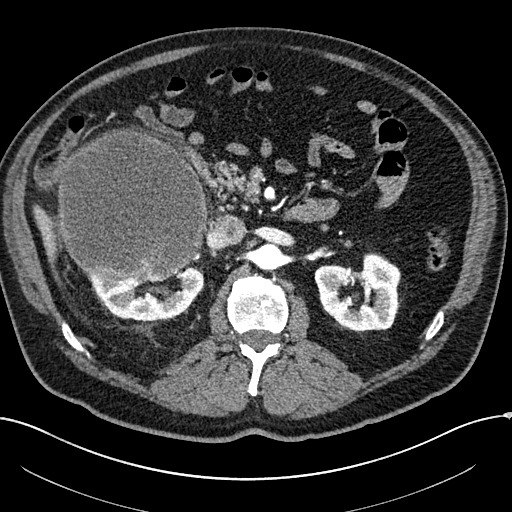
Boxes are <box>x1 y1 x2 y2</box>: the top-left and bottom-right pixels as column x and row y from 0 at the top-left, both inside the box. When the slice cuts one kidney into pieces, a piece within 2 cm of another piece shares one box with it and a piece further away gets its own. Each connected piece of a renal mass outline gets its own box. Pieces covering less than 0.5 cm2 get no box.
This is axial slice 127 of 304 (slice 1 is the lowest) of an arterial-phase abdominal CT with contrast; each pixel is 0.809 mm and the slice is 2.00 mm thick. Three boxes on this slice (two kidney boxes and one renal mass box), listed by box centre from the image's left to its right. (1) Right renal mass at <box>57 127 207 282</box> (outlined area 18,849 px, about 123.2 cm2). (2) Right kidney: <box>87 267 204 321</box> (outlined area 3,737 px, about 24.4 cm2). (3) Left kidney: <box>314 252 400 333</box> (outlined area 4,952 px, about 32.4 cm2).
Scan settings: 100 kVp, I30f reconstruction kernel.